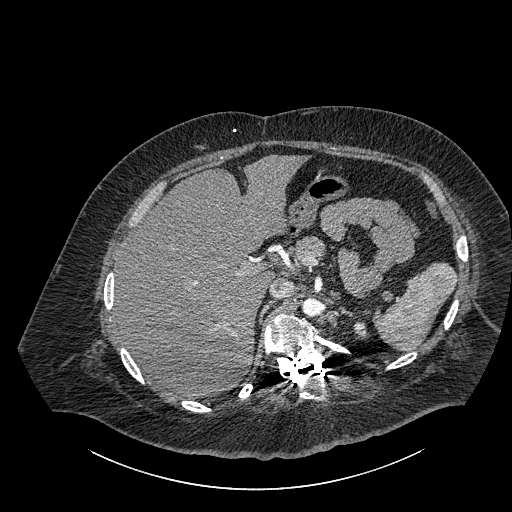
One axial slice (651 of 834, counting up from the lowest) of a contrast-enhanced abdominal CT acquired with 140 kVp, kernel I30f; each pixel is 0.977 mm and the slice is 1.00 mm thick.
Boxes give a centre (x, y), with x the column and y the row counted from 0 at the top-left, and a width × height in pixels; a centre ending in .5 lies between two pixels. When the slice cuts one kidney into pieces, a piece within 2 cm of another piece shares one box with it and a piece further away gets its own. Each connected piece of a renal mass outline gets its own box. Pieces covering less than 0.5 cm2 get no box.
Left part of the midline-crossing kidney in a box with centre (361, 329.5), 17 × 20 pixels (outlined area 213 px, about 2.0 cm2). No renal mass is outlined on this slice.